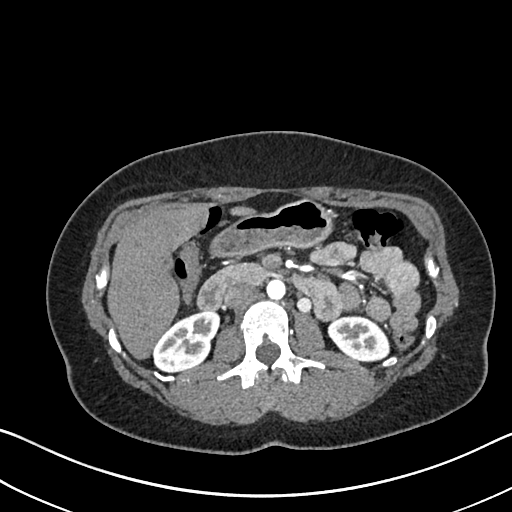
Axial slice 400 of 612 of a contrast-enhanced abdominal CT in the arterial phase (slice 1 is the lowest), 120 kVp, kernel I30f; 1.00 mm slice thickness and 0.703 mm pixels.
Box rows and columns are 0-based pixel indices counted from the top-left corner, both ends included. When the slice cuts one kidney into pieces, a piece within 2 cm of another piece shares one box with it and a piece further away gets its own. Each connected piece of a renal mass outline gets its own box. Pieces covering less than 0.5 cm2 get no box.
Boxed on this slice (two kidney boxes), listed by box centre from the image's left to its right: (1) Right kidney at rows 310–371, columns 153–219 (outlined area 2,798 px, about 13.8 cm2). (2) Left kidney, box rows 315–362, columns 327–389 (outlined area 2,189 px, about 10.8 cm2). This slice carries no renal mass outline.